Axial slice 39 of 90 of a contrast-enhanced abdominal CT in the arterial phase (slice 1 is the lowest), 100 kVp, kernel I40f; 5.00 mm slice thickness and 0.703 mm pixels.
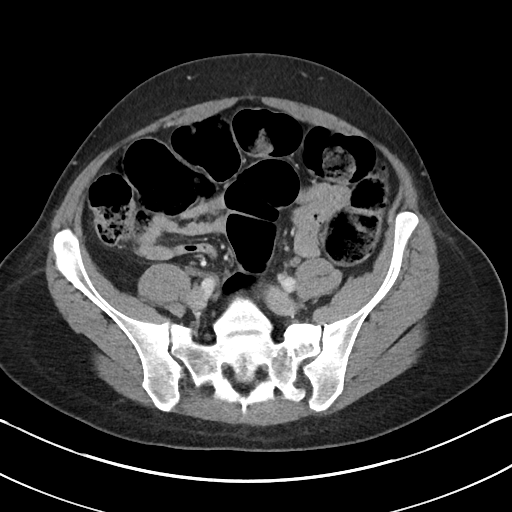
No kidney and no renal mass is outlined on this slice; the outlines in this scan cover only the kidneys and the renal masses, so nothing is said about any other organ.